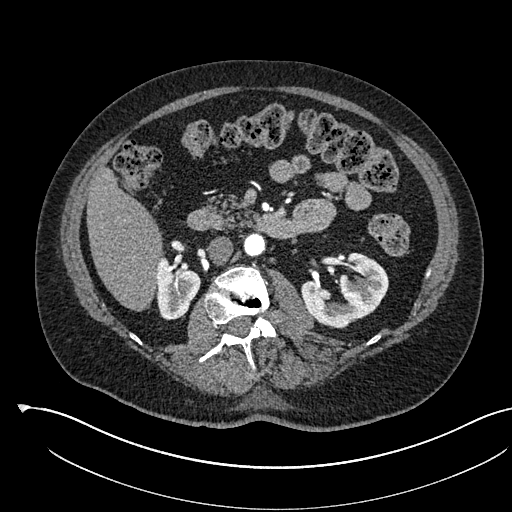
Abdominal CT with intravenous contrast, arterial phase, axial plane, 120 kVp, kernel I30f. Slice 317/541 from the bottom of the scan; thickness 1.00 mm; pixel size 0.834 mm.
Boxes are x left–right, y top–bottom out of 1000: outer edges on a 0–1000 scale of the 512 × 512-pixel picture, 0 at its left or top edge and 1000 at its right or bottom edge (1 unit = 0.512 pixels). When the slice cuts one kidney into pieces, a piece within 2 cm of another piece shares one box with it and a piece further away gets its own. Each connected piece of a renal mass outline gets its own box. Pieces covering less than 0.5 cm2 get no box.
Boxed on this slice (two kidney boxes), listed by box centre from the image's left to its right: (1) Right kidney at x 303–393, y 496–627 out of 1000 (outlined area 2,135 px, about 14.8 cm2). (2) Left kidney, box x 588–760, y 492–643 out of 1000 (outlined area 4,136 px, about 28.8 cm2). No renal mass outline on this slice.